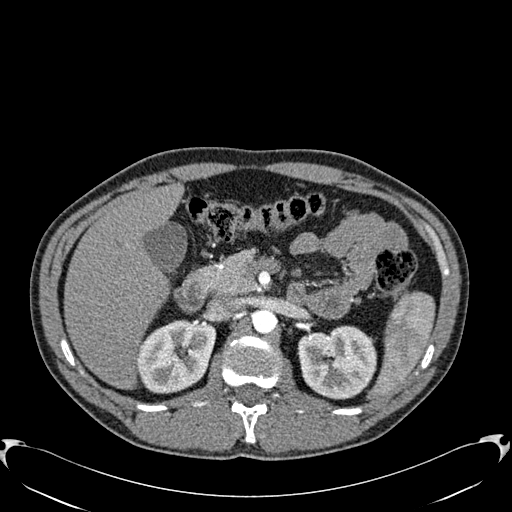
Abdominal CT with intravenous contrast, arterial phase, axial plane, 120 kVp, kernel B30f. Slice 394/512 from the bottom of the scan; thickness 1.00 mm; pixel size 0.771 mm.
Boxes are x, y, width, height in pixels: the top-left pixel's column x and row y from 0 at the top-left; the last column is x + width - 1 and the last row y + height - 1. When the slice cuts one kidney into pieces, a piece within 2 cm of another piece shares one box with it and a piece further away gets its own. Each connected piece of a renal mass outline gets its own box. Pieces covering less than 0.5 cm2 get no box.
Boxed on this slice (two kidney boxes), listed by box centre from the image's left to its right: (1) Right kidney at x 136, y 319, width 81, height 75 (outlined area 4,547 px, about 27.1 cm2). (2) Left kidney at x 297, y 325, width 80, height 75 (outlined area 4,685 px, about 27.9 cm2). This slice carries no renal mass outline.